Contrast-enhanced abdominal CT, axial slice 70 of 101 (counted from the lowest slice); tube voltage 100 kVp, convolution kernel I40f; slices 5.00 mm thick, 0.684 mm per pixel.
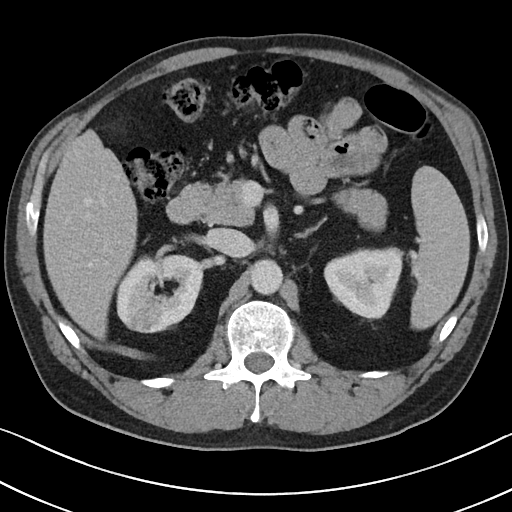
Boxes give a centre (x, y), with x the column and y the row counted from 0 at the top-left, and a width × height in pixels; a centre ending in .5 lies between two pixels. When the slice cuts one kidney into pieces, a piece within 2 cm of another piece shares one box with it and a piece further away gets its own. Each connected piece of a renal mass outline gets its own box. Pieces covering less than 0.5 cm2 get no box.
Three boxes on this slice (two kidney boxes and one renal mass box), listed by box centre from the image's left to its right. (1) Box centre (145, 319), 37 × 29 pixels: right renal mass (outlined area 776 px, about 3.6 cm2). (2) Right kidney, box centre (159.5, 293.5), 88 × 80 pixels (outlined area 4,455 px, about 20.8 cm2). (3) Box centre (363, 283), 81 × 75 pixels: left kidney (outlined area 4,285 px, about 20.0 cm2).